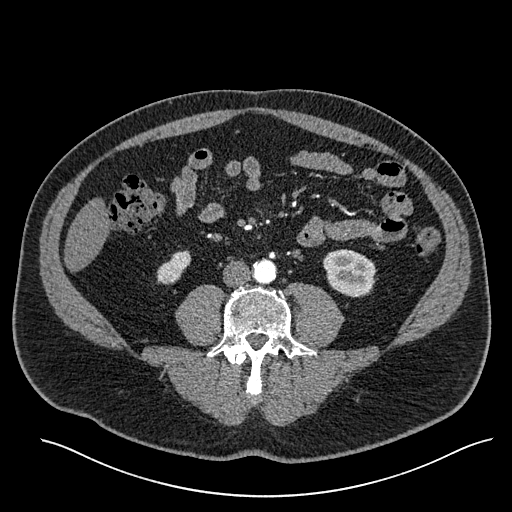
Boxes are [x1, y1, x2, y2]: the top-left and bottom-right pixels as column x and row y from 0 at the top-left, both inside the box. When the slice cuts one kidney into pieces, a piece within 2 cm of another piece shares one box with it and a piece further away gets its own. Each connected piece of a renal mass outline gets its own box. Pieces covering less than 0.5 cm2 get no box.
Slice 203/527 of a contrast-enhanced abdominal CT in the arterial phase, counting up from the lowest; pixel size 0.859 mm, slice thickness 1.00 mm. Two boxes on this slice (two kidney boxes), listed by box centre from the image's left to its right. (1) Box [156, 250, 191, 284]: right kidney (outlined area 760 px, about 5.6 cm2). (2) Left kidney at [323, 249, 376, 297] (outlined area 2,018 px, about 14.9 cm2). No renal mass outline on this slice.
Tube voltage 120 kVp; convolution kernel I30f.